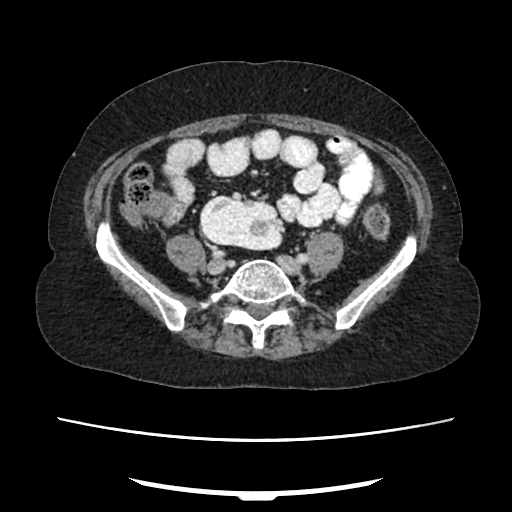
One axial slice (86 of 207, counting up from the lowest) of an arterial-phase abdominal CT acquired with 120 kVp, kernel FC18; each pixel is 0.741 mm and the slice is 2.00 mm thick.
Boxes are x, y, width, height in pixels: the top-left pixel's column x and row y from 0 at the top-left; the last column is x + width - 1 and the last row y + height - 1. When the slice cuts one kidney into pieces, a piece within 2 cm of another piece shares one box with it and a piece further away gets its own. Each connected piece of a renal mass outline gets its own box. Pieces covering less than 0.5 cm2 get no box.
Box x 200, y 194, width 86, height 57: right kidney (outlined area 3,808 px, about 20.9 cm2). This slice carries no renal mass outline.